Abdominal CT with intravenous contrast, arterial phase, axial plane, 120 kVp, kernel I30f. Slice 542/735 from the bottom of the scan; thickness 1.00 mm; pixel size 0.789 mm.
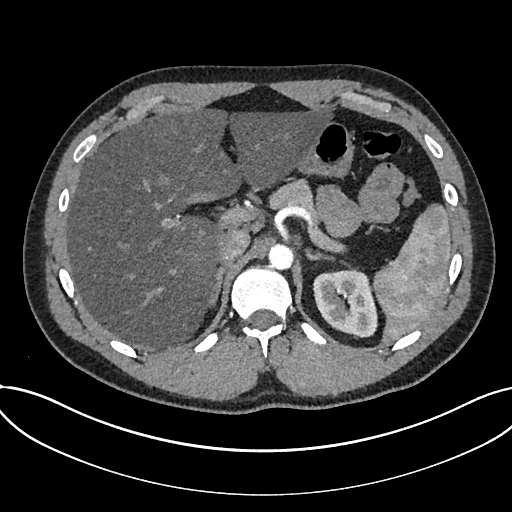
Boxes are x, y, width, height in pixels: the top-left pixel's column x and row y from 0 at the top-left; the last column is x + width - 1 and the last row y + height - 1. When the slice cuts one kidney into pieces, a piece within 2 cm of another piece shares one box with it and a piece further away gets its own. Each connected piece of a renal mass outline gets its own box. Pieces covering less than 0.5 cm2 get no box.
Kidney, box x 313, y 269, width 66, height 69 (outlined area 3,426 px, about 21.3 cm2). This slice carries no renal mass outline.